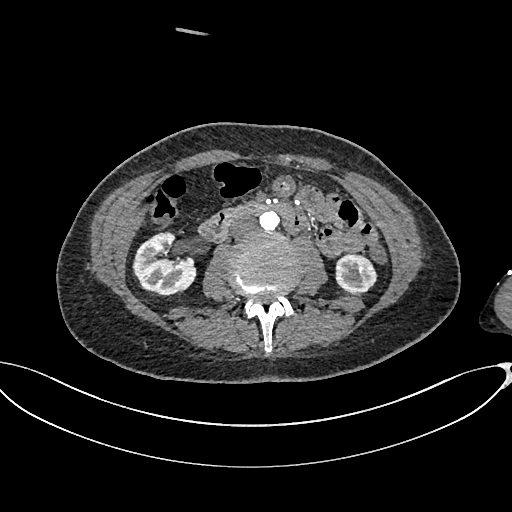
One axial slice (335 of 665, counting up from the lowest) of an arterial-phase abdominal CT acquired with 100 kVp, kernel I26f; each pixel is 0.828 mm and the slice is 1.00 mm thick.
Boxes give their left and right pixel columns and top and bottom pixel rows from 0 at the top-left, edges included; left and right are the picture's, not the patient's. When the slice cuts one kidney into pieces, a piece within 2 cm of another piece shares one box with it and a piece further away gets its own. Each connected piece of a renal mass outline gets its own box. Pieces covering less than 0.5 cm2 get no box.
Boxed on this slice (two kidney boxes), listed by box centre from the image's left to its right: (1) Right kidney, the box with left 132, top 232, right 196, bottom 296 (outlined area 3,007 px, about 20.6 cm2). (2) Left kidney, the box with left 335, top 254, right 377, bottom 293 (outlined area 1,345 px, about 9.2 cm2). No renal mass is outlined on this slice.